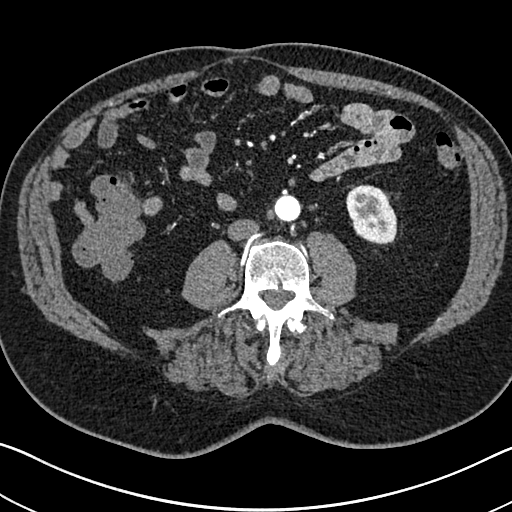
One axial slice (293 of 705, counting up from the lowest) of an arterial-phase abdominal CT acquired with 120 kVp, kernel I30f; each pixel is 0.703 mm and the slice is 1.00 mm thick.
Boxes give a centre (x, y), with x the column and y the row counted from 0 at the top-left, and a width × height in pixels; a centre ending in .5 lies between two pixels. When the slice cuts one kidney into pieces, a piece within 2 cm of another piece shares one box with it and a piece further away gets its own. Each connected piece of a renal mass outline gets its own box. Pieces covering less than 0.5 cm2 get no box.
Box centre (371, 214), 51 × 61 pixels: left kidney (outlined area 2,383 px, about 11.8 cm2). No renal mass is outlined on this slice.